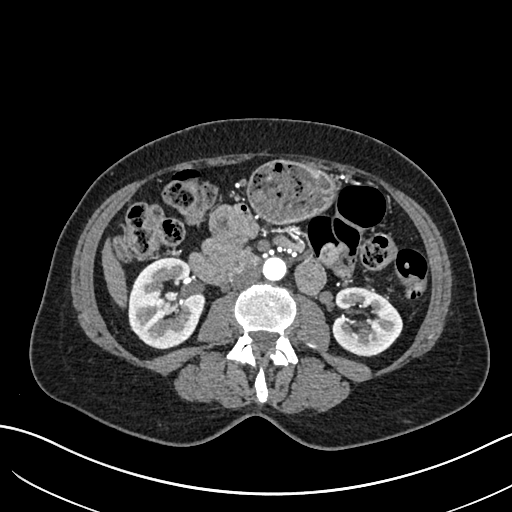
Abdominal CT with intravenous contrast, arterial phase, axial plane, 120 kVp, kernel I30f. Slice 335/683 from the bottom of the scan; thickness 1.00 mm; pixel size 0.738 mm.
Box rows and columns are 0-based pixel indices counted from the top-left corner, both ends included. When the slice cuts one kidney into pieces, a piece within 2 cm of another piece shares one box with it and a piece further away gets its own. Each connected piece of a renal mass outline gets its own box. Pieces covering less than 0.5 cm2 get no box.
Two boxes on this slice (two kidney boxes), listed by box centre from the image's left to its right. (1) Right kidney, box rows 257–349, columns 128–205 (outlined area 5,376 px, about 29.3 cm2). (2) Left kidney, box rows 286–356, columns 331–402 (outlined area 3,641 px, about 19.8 cm2). No renal mass is outlined on this slice.